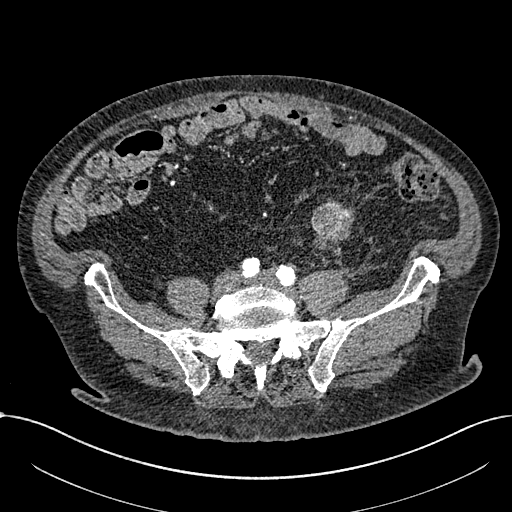
One axial slice (165 of 1059, counting up from the lowest) of an arterial-phase abdominal CT acquired with 100 kVp, kernel I30f; each pixel is 0.811 mm and the slice is 1.00 mm thick.
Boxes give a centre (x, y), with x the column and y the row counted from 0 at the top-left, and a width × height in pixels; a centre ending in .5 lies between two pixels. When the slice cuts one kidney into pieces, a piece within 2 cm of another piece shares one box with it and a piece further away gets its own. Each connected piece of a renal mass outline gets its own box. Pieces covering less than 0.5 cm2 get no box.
Renal mass in a box with centre (332.5, 227.5), 44 × 52 pixels (outlined area 1,589 px, about 10.4 cm2); no kidney is outlined on this slice, but the same outlined renal mass comes within 1 cm of the kidney on another slice.